One axial slice (399 of 612, counting up from the lowest) of an arterial-phase abdominal CT acquired with 120 kVp, kernel I30f; each pixel is 0.703 mm and the slice is 1.00 mm thick.
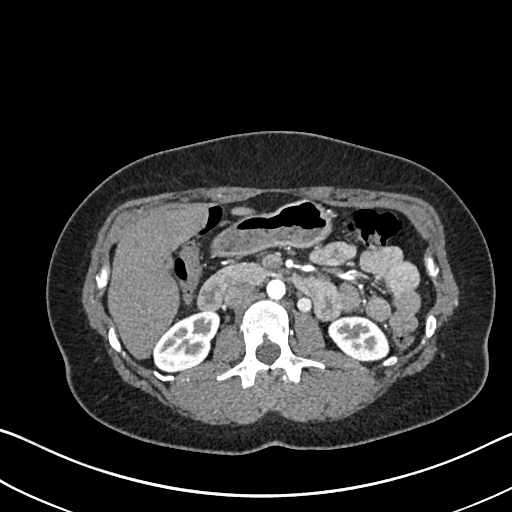
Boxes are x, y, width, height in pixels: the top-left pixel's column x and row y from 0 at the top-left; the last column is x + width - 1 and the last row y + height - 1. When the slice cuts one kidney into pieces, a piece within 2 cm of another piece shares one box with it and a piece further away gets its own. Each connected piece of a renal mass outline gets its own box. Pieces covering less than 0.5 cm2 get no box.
Boxed on this slice (two kidney boxes), listed by box centre from the image's left to its right: (1) Right kidney at x 153, y 310, width 67, height 62 (outlined area 2,756 px, about 13.6 cm2). (2) Left kidney, box x 328, y 315, width 62, height 47 (outlined area 2,111 px, about 10.4 cm2). No renal mass is outlined on this slice.